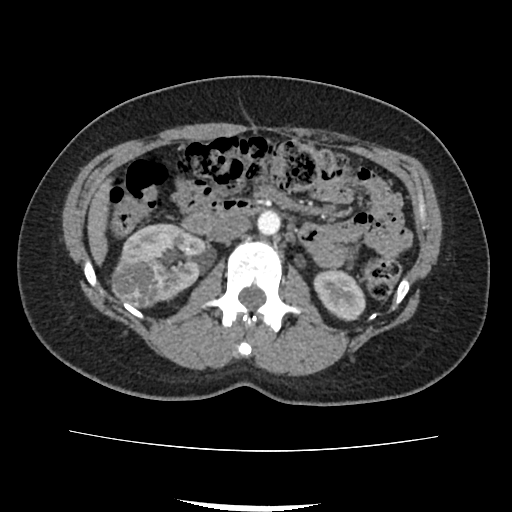
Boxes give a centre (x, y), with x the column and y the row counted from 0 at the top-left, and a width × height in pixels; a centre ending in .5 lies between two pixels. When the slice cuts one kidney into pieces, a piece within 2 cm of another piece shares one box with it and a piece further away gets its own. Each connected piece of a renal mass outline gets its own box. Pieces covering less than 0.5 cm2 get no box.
This is axial slice 45 of 103 (slice 1 is the lowest) of an abdominal CT with contrast; each pixel is 0.714 mm and the slice is 3.00 mm thick. Boxed on this slice (two kidney boxes and one renal mass box), listed by box centre from the image's left to its right: (1) Right renal mass, box centre (138, 282.5), 53 × 52 pixels (outlined area 2,085 px, about 10.6 cm2). (2) Right kidney in a box with centre (163.5, 262), 88 × 77 pixels (outlined area 3,761 px, about 19.2 cm2). (3) Left kidney in a box with centre (339, 295), 53 × 53 pixels (outlined area 1,990 px, about 10.1 cm2).
Acquired at 120 kVp and reconstructed with the FC18 kernel.